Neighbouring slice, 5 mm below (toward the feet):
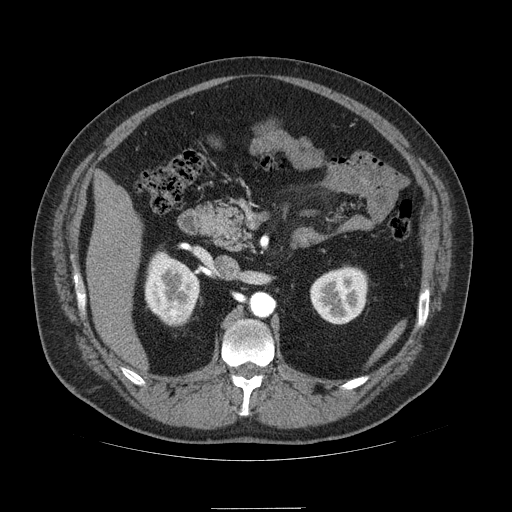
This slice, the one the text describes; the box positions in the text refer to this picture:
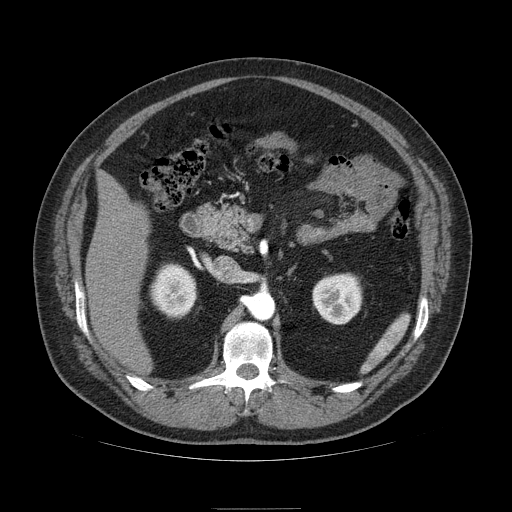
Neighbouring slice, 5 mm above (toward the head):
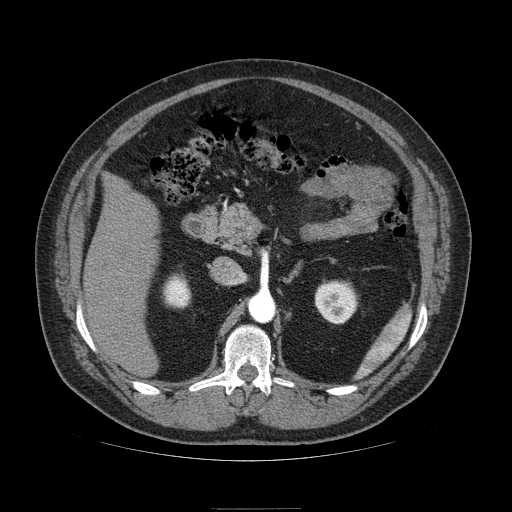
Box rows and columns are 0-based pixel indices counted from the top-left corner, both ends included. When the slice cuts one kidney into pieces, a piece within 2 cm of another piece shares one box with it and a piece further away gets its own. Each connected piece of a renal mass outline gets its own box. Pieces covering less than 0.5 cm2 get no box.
Slice 62/121 of a contrast-enhanced abdominal CT in the arterial phase, counting up from the lowest; pixel size 0.861 mm, slice thickness 2.50 mm. Boxed on this slice (two kidney boxes and one renal mass box), listed by box centre from the image's left to its right: (1) Right kidney at rows 264–316, columns 150–196 (outlined area 1,846 px, about 13.7 cm2). (2) Right renal mass, box rows 310–317, columns 170–182 (outlined area 94 px, about 0.7 cm2). (3) Left kidney at rows 273–324, columns 312–362 (outlined area 2,049 px, about 15.2 cm2). This slice is near the end of the right renal mass toward the head, so the slices 5 mm below and 5 mm above it are shown as well; the boxes refer to this slice only.
Acquired at 120 kVp and reconstructed with the STANDARD kernel.